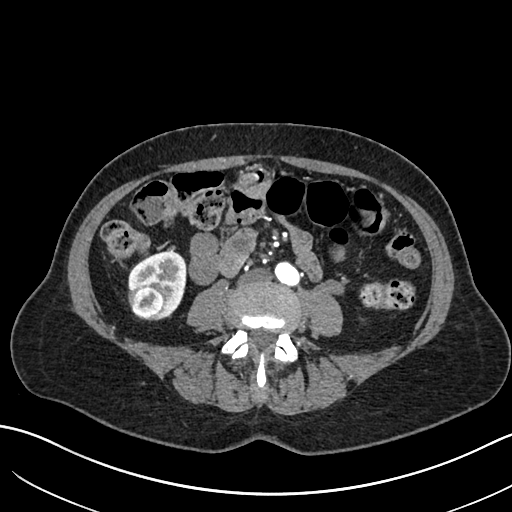
Arterial-phase contrast-enhanced abdominal CT, axial slice 274 of 683 (counted from the lowest slice); tube voltage 120 kVp, convolution kernel I30f; slices 1.00 mm thick, 0.738 mm per pixel.
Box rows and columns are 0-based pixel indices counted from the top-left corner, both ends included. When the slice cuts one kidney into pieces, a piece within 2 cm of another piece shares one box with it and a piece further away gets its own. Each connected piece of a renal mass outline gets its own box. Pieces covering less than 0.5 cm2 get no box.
Two boxes on this slice (one kidney box and one renal mass box), listed by box centre from the image's left to its right. (1) Right renal mass at rows 282–320, columns 128–166 (outlined area 1,171 px, about 6.4 cm2). (2) Right kidney, box rows 251–320, columns 128–186 (outlined area 2,167 px, about 11.8 cm2).